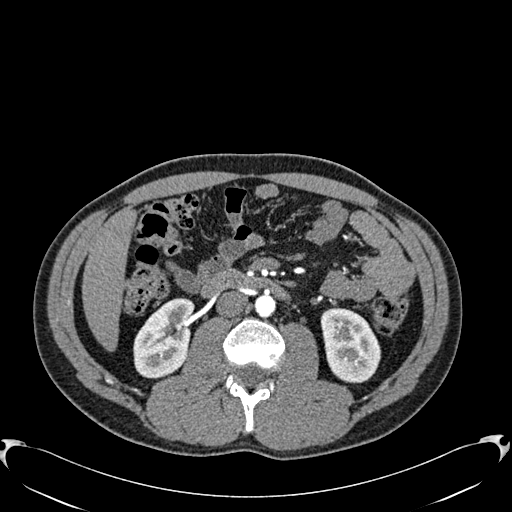
Arterial-phase contrast-enhanced abdominal CT, axial slice 314 of 512 (counted from the lowest slice); tube voltage 120 kVp, convolution kernel B30f; slices 1.00 mm thick, 0.771 mm per pixel.
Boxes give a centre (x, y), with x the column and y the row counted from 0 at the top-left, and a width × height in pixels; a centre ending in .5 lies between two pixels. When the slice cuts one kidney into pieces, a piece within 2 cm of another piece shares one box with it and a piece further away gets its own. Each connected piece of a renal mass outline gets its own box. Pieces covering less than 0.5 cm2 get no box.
Two kidney boxes on this slice; by box centre, from the image's left to its right: (1) Right kidney in a box with centre (163.5, 338), 62 × 81 pixels (outlined area 3,604 px, about 21.5 cm2). (2) Box centre (350, 344.5), 61 × 78 pixels: left kidney (outlined area 3,492 px, about 20.8 cm2). This slice carries no renal mass outline.